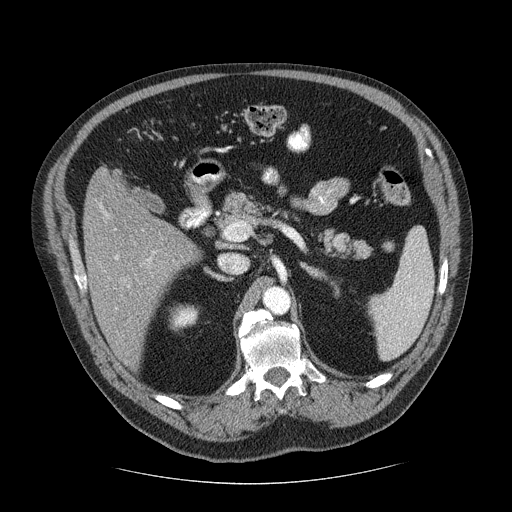
Axial slice 149 of 206 of a contrast-enhanced abdominal CT (slice 1 is the lowest), 120 kVp, kernel STANDARD; 2.50 mm slice thickness and 0.879 mm pixels.
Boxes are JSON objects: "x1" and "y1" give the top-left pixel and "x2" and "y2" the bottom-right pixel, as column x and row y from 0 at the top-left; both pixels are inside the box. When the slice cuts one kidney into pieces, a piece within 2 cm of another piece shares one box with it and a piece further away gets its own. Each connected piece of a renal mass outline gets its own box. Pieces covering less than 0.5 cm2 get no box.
Boxed on this slice (two kidney boxes), listed by box centre from the image's left to its right: (1) Box {"x1": 168, "y1": 303, "x2": 199, "y2": 332}: right kidney (outlined area 689 px, about 5.3 cm2). (2) Box {"x1": 329, "y1": 280, "x2": 339, "y2": 297}: left kidney (outlined area 116 px, about 0.9 cm2). No renal mass is outlined on this slice.